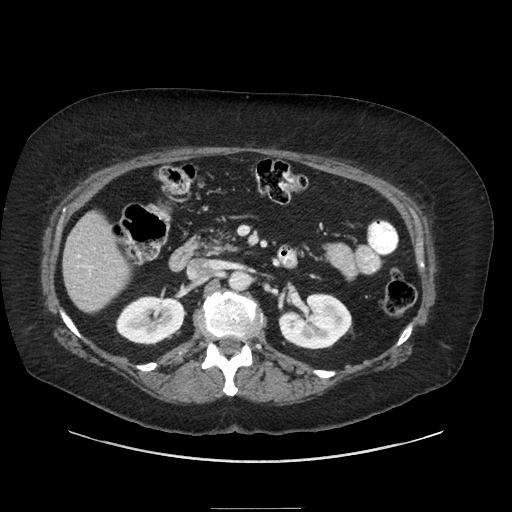
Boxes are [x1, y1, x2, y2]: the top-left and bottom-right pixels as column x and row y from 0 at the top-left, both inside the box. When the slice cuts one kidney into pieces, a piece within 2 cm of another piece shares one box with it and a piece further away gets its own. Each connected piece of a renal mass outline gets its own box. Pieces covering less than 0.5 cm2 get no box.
Contrast-enhanced abdominal CT, axial slice 129 of 186 (counted from the lowest slice); 2.50 mm thick, 0.850 mm per pixel. Two boxes on this slice (two kidney boxes), listed by box centre from the image's left to its right. (1) Right kidney at [115, 295, 184, 345] (outlined area 2,664 px, about 19.2 cm2). (2) Left kidney at [278, 293, 352, 349] (outlined area 3,125 px, about 22.6 cm2). This slice carries no renal mass outline.
Scan settings: 120 kVp, STANDARD reconstruction kernel.